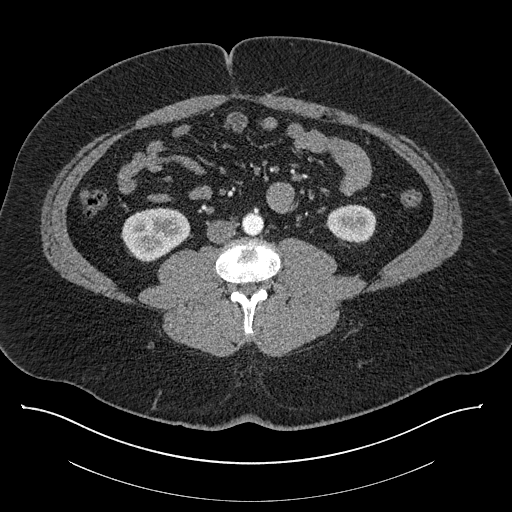
Axial slice 368 of 787 of a contrast-enhanced abdominal CT (slice 1 is the lowest), 140 kVp, kernel I30f; 1.00 mm slice thickness and 0.910 mm pixels.
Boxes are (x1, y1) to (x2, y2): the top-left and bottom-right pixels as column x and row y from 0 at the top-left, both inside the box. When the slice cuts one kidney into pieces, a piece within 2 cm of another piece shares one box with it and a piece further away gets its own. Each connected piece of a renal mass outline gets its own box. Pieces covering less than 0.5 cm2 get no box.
Boxed on this slice (two kidney boxes), listed by box centre from the image's left to its right: (1) Right kidney, box (121, 207) to (190, 261) (outlined area 2,815 px, about 23.3 cm2). (2) Box (327, 204) to (376, 243): left kidney (outlined area 1,555 px, about 12.9 cm2). No renal mass outline on this slice.